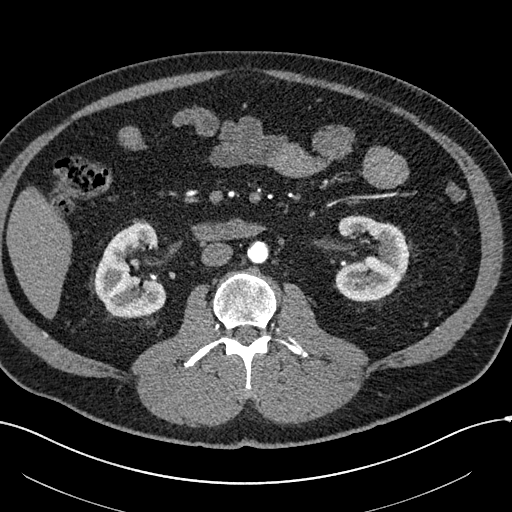
One axial slice (288 of 602, counting up from the lowest) of an arterial-phase abdominal CT acquired with 120 kVp, kernel I30f; each pixel is 0.799 mm and the slice is 1.00 mm thick.
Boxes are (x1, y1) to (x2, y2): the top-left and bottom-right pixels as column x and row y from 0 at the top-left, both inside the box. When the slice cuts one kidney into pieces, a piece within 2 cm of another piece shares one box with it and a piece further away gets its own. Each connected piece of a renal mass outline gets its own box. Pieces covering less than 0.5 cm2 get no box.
Two boxes on this slice (two kidney boxes), listed by box centre from the image's left to its right. (1) Right kidney, box (94, 222) to (165, 318) (outlined area 4,781 px, about 30.5 cm2). (2) Left kidney from (335, 215) to (409, 302) (outlined area 4,683 px, about 29.9 cm2). This slice carries no renal mass outline.